Arterial-phase contrast-enhanced abdominal CT, axial slice 571 of 719 (counted from the lowest slice); tube voltage 120 kVp, convolution kernel B20f; slices 1.00 mm thick, 0.766 mm per pixel.
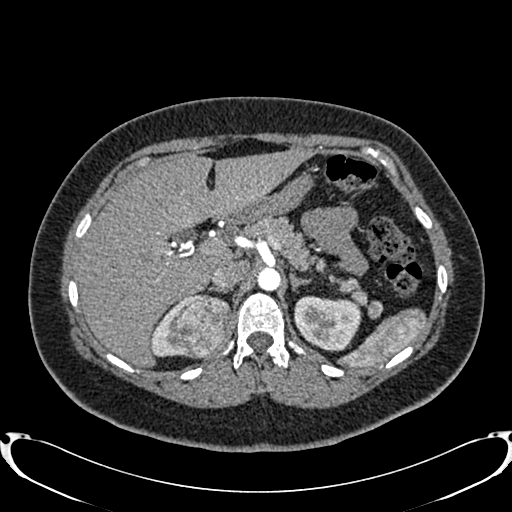
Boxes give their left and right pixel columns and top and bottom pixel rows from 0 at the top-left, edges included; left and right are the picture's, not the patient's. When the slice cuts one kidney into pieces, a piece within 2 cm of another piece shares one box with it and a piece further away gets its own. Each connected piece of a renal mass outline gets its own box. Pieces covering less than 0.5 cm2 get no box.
Three boxes on this slice (two kidney boxes and one renal mass box), listed by box centre from the image's left to its right. (1) Box with left 149, top 297, right 188, bottom 356: right kidney (outlined area 727 px, about 4.3 cm2). (2) Box with left 165, top 294, right 232, bottom 358: right renal mass (outlined area 3,380 px, about 19.8 cm2). (3) Left kidney in the box with left 294, top 296, right 361, bottom 351 (outlined area 2,961 px, about 17.4 cm2).